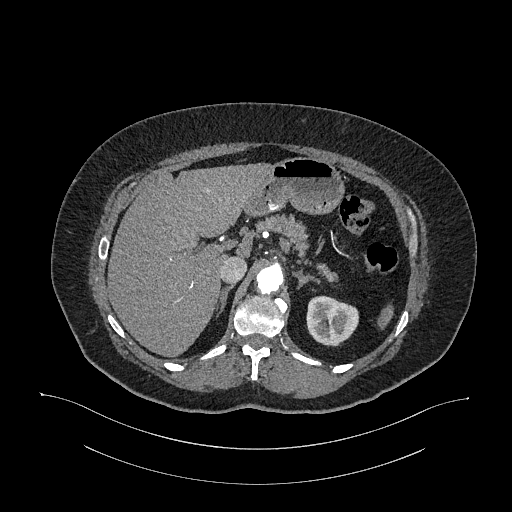
Axial slice 770 of 987 of a contrast-enhanced abdominal CT in the arterial phase (slice 1 is the lowest), 120 kVp, kernel I26f; 1.00 mm slice thickness and 0.977 mm pixels.
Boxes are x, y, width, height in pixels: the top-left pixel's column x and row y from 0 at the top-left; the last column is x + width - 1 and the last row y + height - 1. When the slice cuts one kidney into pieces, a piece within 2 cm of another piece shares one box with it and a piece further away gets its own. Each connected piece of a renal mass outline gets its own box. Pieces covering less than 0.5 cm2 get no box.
Box x 306, y 295, width 53, height 52: left kidney (outlined area 2,082 px, about 19.9 cm2). No renal mass outline on this slice.